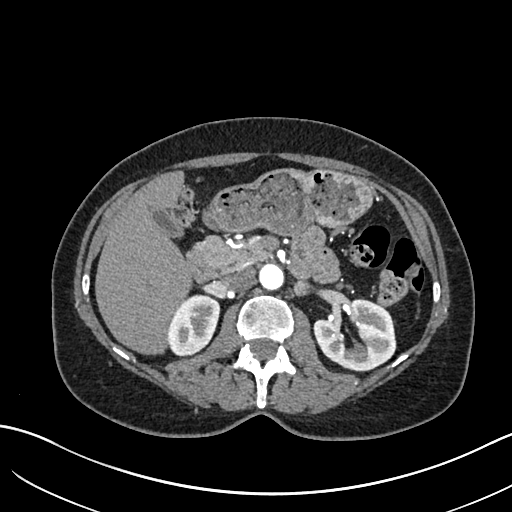
Axial slice 398 of 683 of a contrast-enhanced abdominal CT in the arterial phase (slice 1 is the lowest), 120 kVp, kernel I30f; 1.00 mm slice thickness and 0.738 mm pixels.
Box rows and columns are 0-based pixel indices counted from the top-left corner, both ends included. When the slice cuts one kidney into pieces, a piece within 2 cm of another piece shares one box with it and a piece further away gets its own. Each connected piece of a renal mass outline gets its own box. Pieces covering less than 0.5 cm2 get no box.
Boxed on this slice (two kidney boxes), listed by box centre from the image's left to its right: (1) Right kidney at rows 294–355, columns 167–220 (outlined area 2,406 px, about 13.1 cm2). (2) Left kidney, box rows 298–370, columns 313–396 (outlined area 4,210 px, about 22.9 cm2). No renal mass is outlined on this slice.